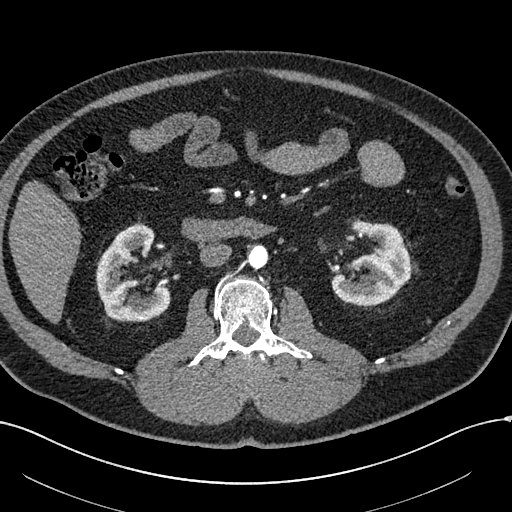
Arterial-phase contrast-enhanced abdominal CT, axial slice 304 of 602 (counted from the lowest slice); tube voltage 120 kVp, convolution kernel I30f; slices 1.00 mm thick, 0.799 mm per pixel.
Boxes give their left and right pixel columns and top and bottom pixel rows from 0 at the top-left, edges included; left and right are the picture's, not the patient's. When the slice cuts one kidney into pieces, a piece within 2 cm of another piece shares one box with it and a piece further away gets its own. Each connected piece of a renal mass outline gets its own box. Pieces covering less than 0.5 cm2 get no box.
Two boxes on this slice (two kidney boxes), listed by box centre from the image's left to its right. (1) Right kidney in the box with left 96, top 224, right 170, bottom 321 (outlined area 4,794 px, about 30.6 cm2). (2) Left kidney in the box with left 331, top 219, right 411, bottom 306 (outlined area 4,699 px, about 30.0 cm2). No renal mass is outlined on this slice.